Axial slice 50 of 99 of a contrast-enhanced abdominal CT in the arterial phase (slice 1 is the lowest), 120 kVp, kernel B30f; 5.00 mm slice thickness and 0.693 mm pixels.
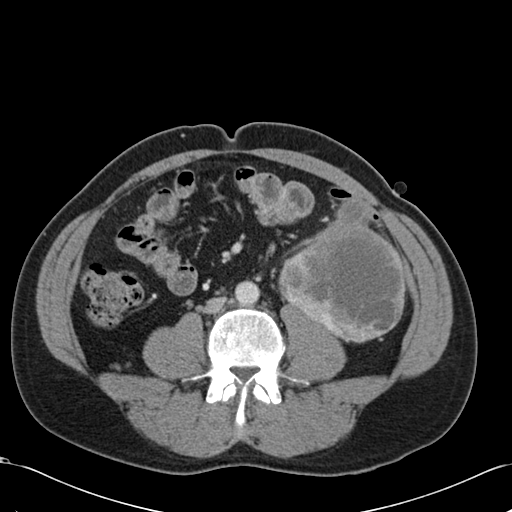
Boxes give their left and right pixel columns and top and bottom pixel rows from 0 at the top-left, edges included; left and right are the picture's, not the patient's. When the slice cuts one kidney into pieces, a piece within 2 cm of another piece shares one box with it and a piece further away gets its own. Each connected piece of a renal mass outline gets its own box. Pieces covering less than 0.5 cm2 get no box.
Box with left 278, top 198, right 405, bottom 343: left renal mass (outlined area 11,950 px, about 57.4 cm2); no kidney outline appears on this slice, but the same outlined renal mass comes within 1 cm of the kidney on another slice.